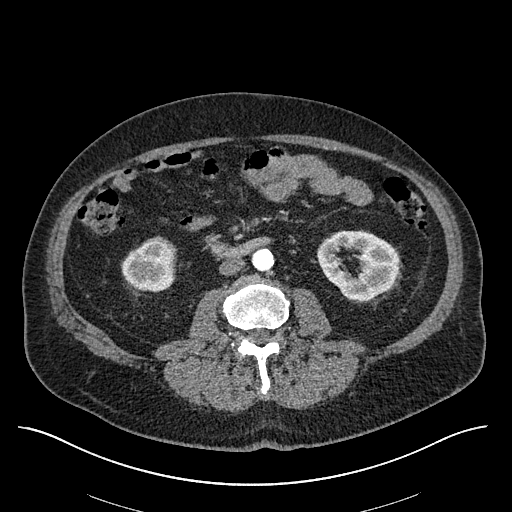
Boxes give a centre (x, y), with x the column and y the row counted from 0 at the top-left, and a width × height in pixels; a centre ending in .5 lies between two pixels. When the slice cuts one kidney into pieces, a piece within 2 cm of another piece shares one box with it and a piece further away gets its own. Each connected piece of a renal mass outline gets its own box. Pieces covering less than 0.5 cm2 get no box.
This is axial slice 266 of 670 (slice 1 is the lowest) of an arterial-phase abdominal CT with contrast; each pixel is 0.861 mm and the slice is 1.00 mm thick. Boxed on this slice (two kidney boxes), listed by box centre from the image's left to its right: (1) Right kidney in a box with centre (148.5, 263.5), 56 × 56 pixels (outlined area 2,367 px, about 17.6 cm2). (2) Box centre (358.5, 265.5), 84 × 72 pixels: left kidney (outlined area 4,186 px, about 31.1 cm2). No renal mass is outlined on this slice.
Scan settings: 120 kVp, I30f reconstruction kernel.